Arterial-phase contrast-enhanced abdominal CT, axial slice 464 of 665 (counted from the lowest slice); tube voltage 100 kVp, convolution kernel I26f; slices 1.00 mm thick, 0.828 mm per pixel.
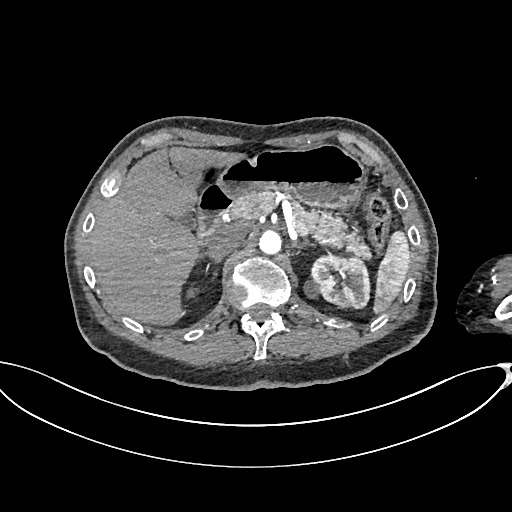
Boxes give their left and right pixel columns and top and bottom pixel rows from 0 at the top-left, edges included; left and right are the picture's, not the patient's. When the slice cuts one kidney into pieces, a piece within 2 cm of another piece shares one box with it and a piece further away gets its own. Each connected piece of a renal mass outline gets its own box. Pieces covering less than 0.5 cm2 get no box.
Boxed on this slice (two kidney boxes and one renal mass box), listed by box centre from the image's left to its right: (1) Right kidney in the box with left 186, top 287, right 199, bottom 298 (outlined area 109 px, about 0.7 cm2). (2) Box with left 303, top 280, right 321, bottom 298: left renal mass (outlined area 250 px, about 1.7 cm2). (3) Left kidney in the box with left 310, top 255, right 370, bottom 308 (outlined area 2,501 px, about 17.2 cm2).